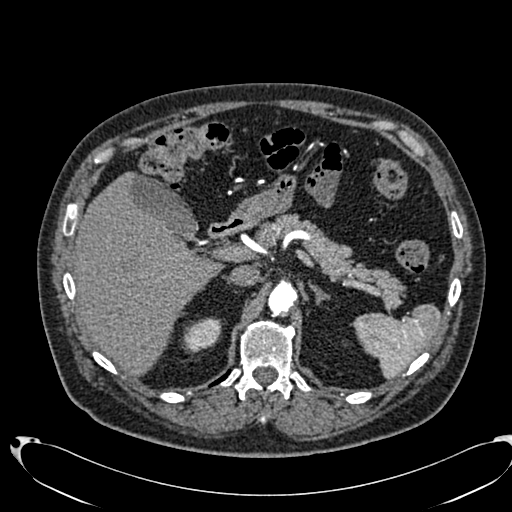
Arterial-phase contrast-enhanced abdominal CT, axial slice 494 of 553 (counted from the lowest slice); tube voltage 120 kVp, convolution kernel B20f; slices 1.00 mm thick, 0.773 mm per pixel.
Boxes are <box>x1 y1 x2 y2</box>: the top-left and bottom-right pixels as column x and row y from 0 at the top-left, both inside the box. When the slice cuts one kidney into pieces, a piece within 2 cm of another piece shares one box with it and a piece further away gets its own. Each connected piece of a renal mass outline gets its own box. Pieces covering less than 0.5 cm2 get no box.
Right kidney: <box>183 317 221 352</box> (outlined area 1,029 px, about 6.2 cm2). No renal mass is outlined on this slice.